One axial slice (497 of 612, counting up from the lowest) of an arterial-phase abdominal CT acquired with 120 kVp, kernel I30f; each pixel is 0.703 mm and the slice is 1.00 mm thick.
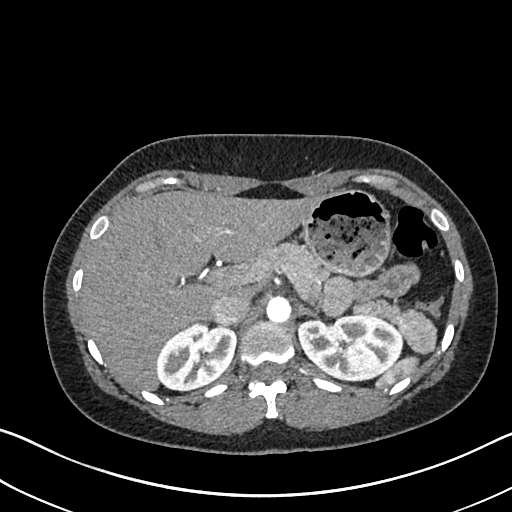
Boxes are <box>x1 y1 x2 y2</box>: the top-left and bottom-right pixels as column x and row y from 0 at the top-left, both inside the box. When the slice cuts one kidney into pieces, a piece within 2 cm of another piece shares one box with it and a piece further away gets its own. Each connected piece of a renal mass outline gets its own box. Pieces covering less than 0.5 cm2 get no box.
Two boxes on this slice (two kidney boxes), listed by box centre from the image's left to its right. (1) Right kidney at <box>157 323 236 390</box> (outlined area 4,036 px, about 20.0 cm2). (2) Left kidney: <box>297 314 403 381</box> (outlined area 5,531 px, about 27.3 cm2). No renal mass is outlined on this slice.